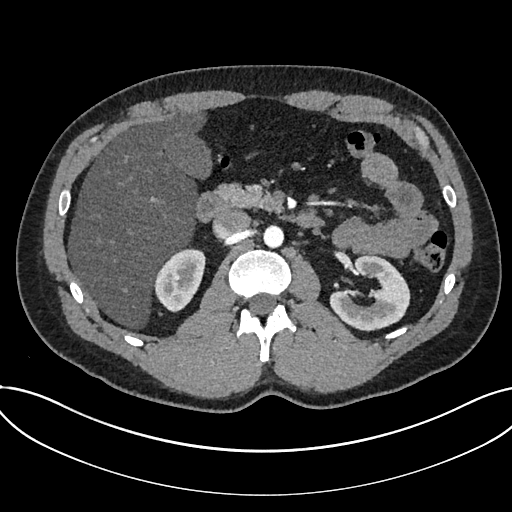
Arterial-phase contrast-enhanced abdominal CT, axial slice 446 of 735 (counted from the lowest slice); tube voltage 120 kVp, convolution kernel I30f; slices 1.00 mm thick, 0.789 mm per pixel.
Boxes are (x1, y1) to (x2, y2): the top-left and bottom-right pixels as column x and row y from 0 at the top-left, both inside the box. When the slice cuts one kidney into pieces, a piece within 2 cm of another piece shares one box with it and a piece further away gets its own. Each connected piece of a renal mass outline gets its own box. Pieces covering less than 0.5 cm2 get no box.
Two boxes on this slice (two kidney boxes), listed by box centre from the image's left to its right. (1) Kidney from (154, 248) to (205, 312) (outlined area 2,315 px, about 14.4 cm2). (2) Box (329, 255) to (409, 331): kidney (outlined area 3,857 px, about 24.0 cm2). No renal mass outline on this slice.